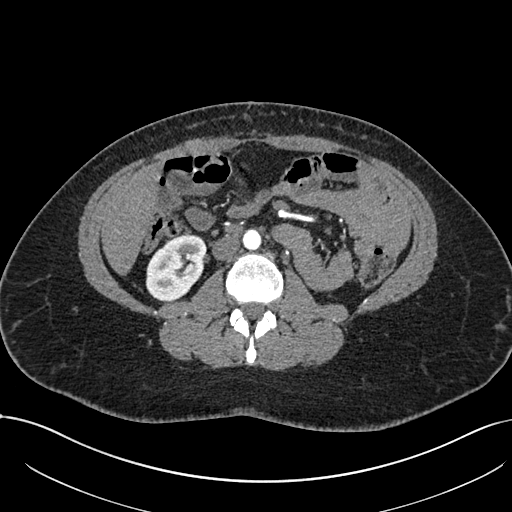
One axial slice (362 of 738, counting up from the lowest) of an arterial-phase abdominal CT acquired with 120 kVp, kernel I30f; each pixel is 0.789 mm and the slice is 1.00 mm thick.
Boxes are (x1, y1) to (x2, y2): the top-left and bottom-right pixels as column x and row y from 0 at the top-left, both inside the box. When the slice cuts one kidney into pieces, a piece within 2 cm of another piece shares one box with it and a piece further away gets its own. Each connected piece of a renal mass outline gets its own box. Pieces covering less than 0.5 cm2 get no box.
Box (145, 234) to (206, 300): right kidney (outlined area 3,016 px, about 18.8 cm2). This slice carries no renal mass outline.